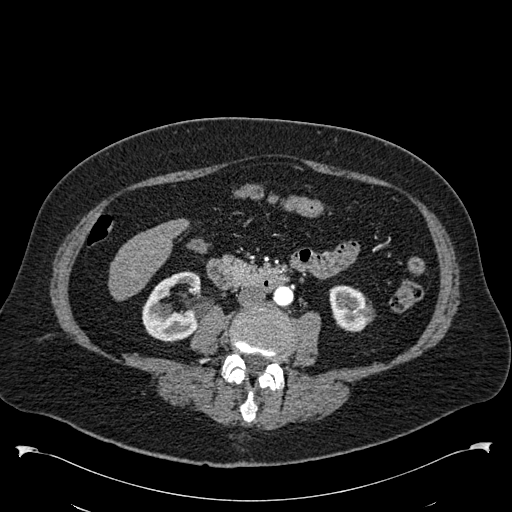
Arterial-phase contrast-enhanced abdominal CT, axial slice 251 of 538 (counted from the lowest slice); tube voltage 120 kVp, convolution kernel B30f; slices 1.00 mm thick, 0.811 mm per pixel.
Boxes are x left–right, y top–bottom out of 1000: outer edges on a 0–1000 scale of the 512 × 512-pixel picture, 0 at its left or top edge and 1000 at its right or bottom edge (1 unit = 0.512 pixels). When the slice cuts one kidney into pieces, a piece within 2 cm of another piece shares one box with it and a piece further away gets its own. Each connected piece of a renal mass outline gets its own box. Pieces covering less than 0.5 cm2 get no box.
Two kidney boxes on this slice; by box centre, from the image's left to its right: (1) Right kidney at x 277–395, y 529–670 out of 1000 (outlined area 2,906 px, about 19.1 cm2). (2) Left kidney at x 643–727, y 557–650 out of 1000 (outlined area 1,526 px, about 10.0 cm2).